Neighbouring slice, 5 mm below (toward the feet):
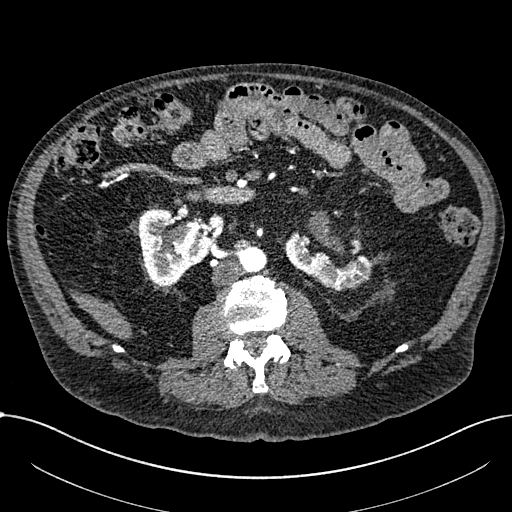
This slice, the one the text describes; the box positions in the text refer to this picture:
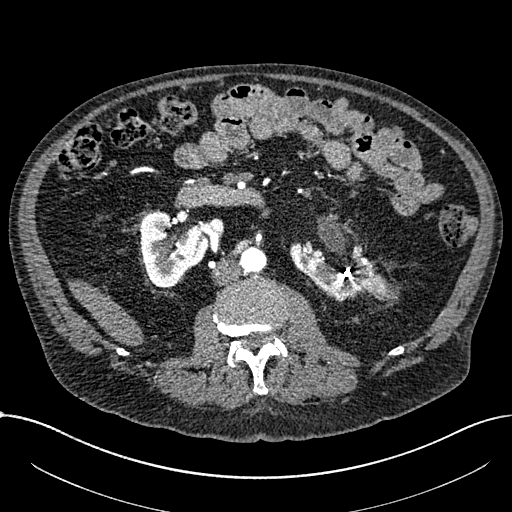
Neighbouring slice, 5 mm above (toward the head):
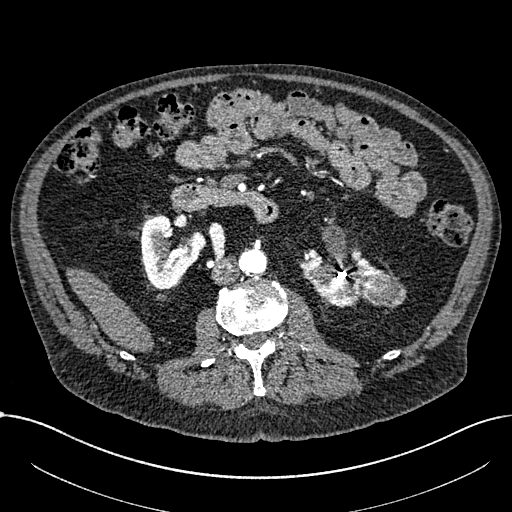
Arterial-phase contrast-enhanced abdominal CT, axial slice 359 of 1059 (counted from the lowest slice); tube voltage 100 kVp, convolution kernel I30f; slices 1.00 mm thick, 0.811 mm per pixel.
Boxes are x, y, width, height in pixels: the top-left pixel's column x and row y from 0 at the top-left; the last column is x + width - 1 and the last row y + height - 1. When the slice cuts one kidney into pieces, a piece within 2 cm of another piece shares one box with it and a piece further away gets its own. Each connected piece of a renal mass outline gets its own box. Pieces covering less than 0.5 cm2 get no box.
Two kidney boxes and one renal mass box on this slice; by box centre, from the image's left to its right: (1) Right part of the midline-crossing kidney at x 140, y 211, width 69, height 78 (outlined area 3,655 px, about 24.0 cm2). (2) Left part of the midline-crossing kidney, box x 289, y 241, width 88, height 61 (outlined area 3,093 px, about 20.3 cm2). (3) Renal mass at x 364, y 274, width 31, height 26 (outlined area 492 px, about 3.2 cm2). This slice is near the end of a renal mass toward the feet, so the slices 5 mm below and 5 mm above it are shown as well; the boxes refer to this slice only.